Contrast-enhanced abdominal CT, axial slice 179 of 301 (counted from the lowest slice); tube voltage 120 kVp, convolution kernel I40f; slices 2.00 mm thick, 0.859 mm per pixel.
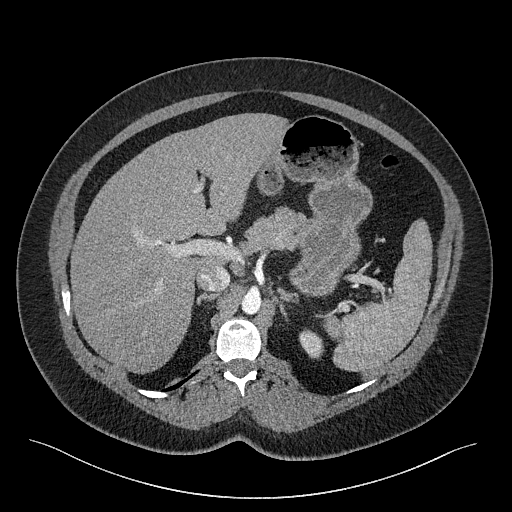
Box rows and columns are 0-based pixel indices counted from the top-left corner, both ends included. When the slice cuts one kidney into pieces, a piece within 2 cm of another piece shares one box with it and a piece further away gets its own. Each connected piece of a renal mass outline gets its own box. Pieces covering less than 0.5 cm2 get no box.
Left kidney, box rows 328–359, columns 299–323 (outlined area 541 px, about 4.0 cm2). This slice carries no renal mass outline.